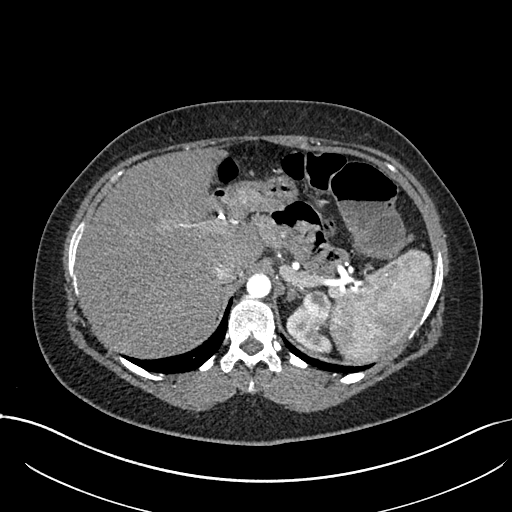
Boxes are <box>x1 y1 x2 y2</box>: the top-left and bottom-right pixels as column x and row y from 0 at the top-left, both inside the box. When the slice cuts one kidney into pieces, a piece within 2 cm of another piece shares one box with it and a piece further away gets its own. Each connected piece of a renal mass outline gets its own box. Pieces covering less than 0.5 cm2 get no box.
Arterial-phase contrast-enhanced abdominal CT, axial slice 564 of 738 (counted from the lowest slice); 1.00 mm thick, 0.789 mm per pixel. Two boxes on this slice (one kidney box and one renal mass box), listed by box centre from the image's left to its right. (1) At <box>286 313 332 353</box>: left kidney (outlined area 808 px, about 5.0 cm2). (2) Left renal mass: <box>293 289 329 333</box> (outlined area 1,164 px, about 7.2 cm2).
Acquired at 120 kVp and reconstructed with the I30f kernel.